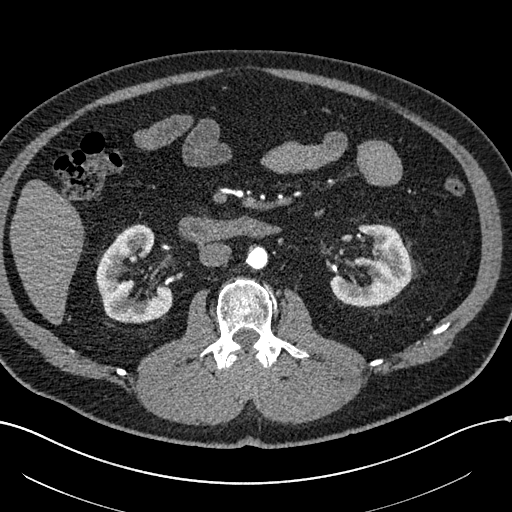
Abdominal CT with intravenous contrast, arterial phase, axial plane, 120 kVp, kernel I30f. Slice 310/602 from the bottom of the scan; thickness 1.00 mm; pixel size 0.799 mm.
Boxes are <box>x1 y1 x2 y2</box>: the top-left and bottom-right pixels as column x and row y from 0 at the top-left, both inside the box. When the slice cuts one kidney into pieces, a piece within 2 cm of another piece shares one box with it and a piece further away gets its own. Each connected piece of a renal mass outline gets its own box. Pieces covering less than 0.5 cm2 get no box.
Boxed on this slice (two kidney boxes), listed by box centre from the image's left to its right: (1) At <box>96 224 172 322</box>: right kidney (outlined area 4,694 px, about 30.0 cm2). (2) Left kidney: <box>330 224 411 306</box> (outlined area 4,222 px, about 26.9 cm2). No renal mass is outlined on this slice.